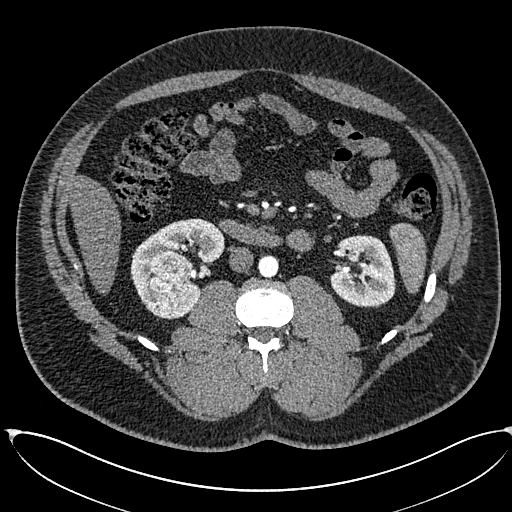
Arterial-phase contrast-enhanced abdominal CT, axial slice 314 of 673 (counted from the lowest slice); tube voltage 120 kVp, convolution kernel I30f; slices 1.00 mm thick, 0.855 mm per pixel.
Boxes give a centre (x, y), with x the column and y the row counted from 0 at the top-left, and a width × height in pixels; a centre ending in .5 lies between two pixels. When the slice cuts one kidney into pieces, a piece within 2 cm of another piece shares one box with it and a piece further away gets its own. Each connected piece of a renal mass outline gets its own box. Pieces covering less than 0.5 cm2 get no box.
Boxed on this slice (two kidney boxes and one renal mass box), listed by box centre from the image's left to its right: (1) Box centre (170, 280.5), 45 × 60 pixels: right renal mass (outlined area 2,286 px, about 16.7 cm2). (2) Right kidney in a box with centre (177.5, 268.5), 96 × 102 pixels (outlined area 4,231 px, about 31.0 cm2). (3) Box centre (362, 271), 67 × 73 pixels: left kidney (outlined area 3,752 px, about 27.5 cm2).